Abdominal CT with intravenous contrast, arterial phase, axial plane, 120 kVp, kernel I30f. Slice 360/705 from the bottom of the scan; thickness 1.00 mm; pixel size 0.703 mm.
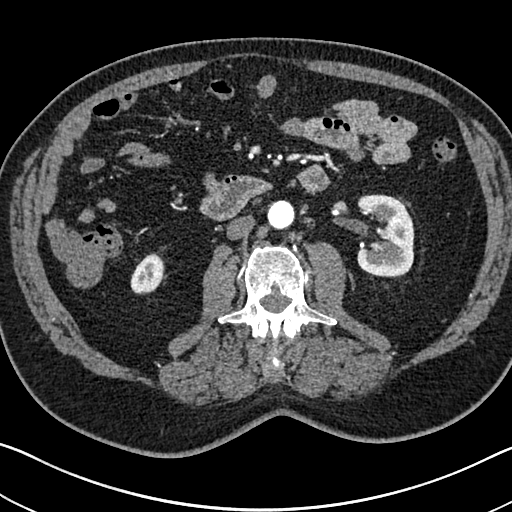
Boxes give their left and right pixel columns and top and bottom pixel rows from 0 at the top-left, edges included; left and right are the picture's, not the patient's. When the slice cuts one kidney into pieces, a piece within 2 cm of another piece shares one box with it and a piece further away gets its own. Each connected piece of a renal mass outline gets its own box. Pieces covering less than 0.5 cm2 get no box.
Two kidney boxes on this slice; by box centre, from the image's left to its right: (1) Box with left 130, top 253, right 162, bottom 294: right kidney (outlined area 990 px, about 4.9 cm2). (2) Left kidney in the box with left 356, top 194, right 414, bottom 277 (outlined area 3,918 px, about 19.4 cm2). No renal mass outline on this slice.